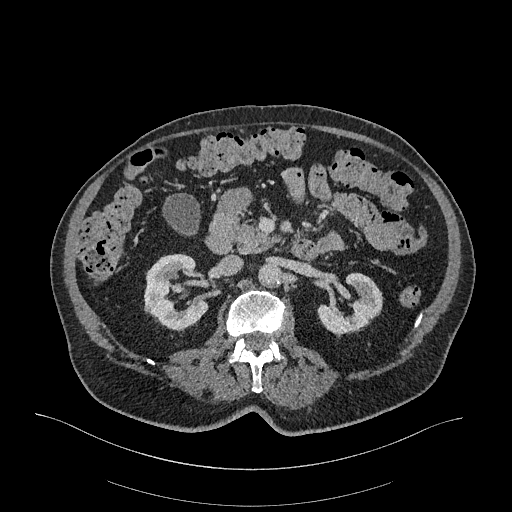
Axial slice 171 of 470 of a contrast-enhanced abdominal CT in the arterial phase (slice 1 is the lowest), 120 kVp, kernel I26f; 1.00 mm slice thickness and 0.938 mm pixels.
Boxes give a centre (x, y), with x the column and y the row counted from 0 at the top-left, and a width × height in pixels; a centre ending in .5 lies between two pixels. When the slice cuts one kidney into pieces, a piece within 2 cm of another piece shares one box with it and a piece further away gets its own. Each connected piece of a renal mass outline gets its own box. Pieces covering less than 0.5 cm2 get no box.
Two boxes on this slice (two kidney boxes), listed by box centre from the image's left to its right. (1) Right kidney in a box with centre (175.5, 292), 64 × 79 pixels (outlined area 3,486 px, about 30.6 cm2). (2) Left kidney, box centre (350, 304.5), 67 × 66 pixels (outlined area 2,582 px, about 22.7 cm2). No renal mass is outlined on this slice.